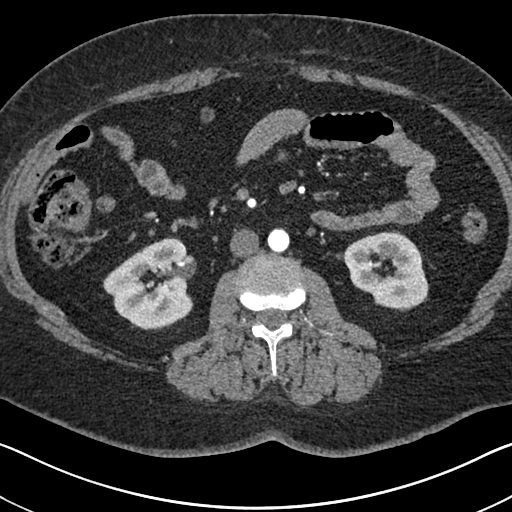
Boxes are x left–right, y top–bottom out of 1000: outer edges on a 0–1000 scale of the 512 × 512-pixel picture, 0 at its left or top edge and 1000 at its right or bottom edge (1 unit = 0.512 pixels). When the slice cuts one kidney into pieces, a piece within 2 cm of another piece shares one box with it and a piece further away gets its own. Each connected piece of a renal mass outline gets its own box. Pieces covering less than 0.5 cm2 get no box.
Arterial-phase contrast-enhanced abdominal CT, axial slice 353 of 591 (counted from the lowest slice); 1.00 mm thick, 0.703 mm per pixel. Boxed on this slice (two kidney boxes), listed by box centre from the image's left to its right: (1) Right kidney, box x 201–379, y 463–645 out of 1000 (outlined area 5,820 px, about 28.8 cm2). (2) Box x 672–838, y 451–605 out of 1000: left kidney (outlined area 4,740 px, about 23.4 cm2). This slice carries no renal mass outline.
Tube voltage 140 kVp; convolution kernel I30f.